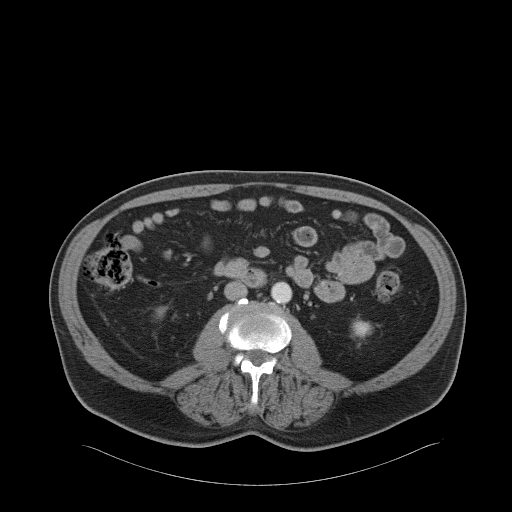
Abdominal CT with intravenous contrast, arterial phase, axial plane, 120 kVp, kernel B31f. Slice 16/68 from the bottom of the scan; thickness 5.00 mm; pixel size 0.961 mm.
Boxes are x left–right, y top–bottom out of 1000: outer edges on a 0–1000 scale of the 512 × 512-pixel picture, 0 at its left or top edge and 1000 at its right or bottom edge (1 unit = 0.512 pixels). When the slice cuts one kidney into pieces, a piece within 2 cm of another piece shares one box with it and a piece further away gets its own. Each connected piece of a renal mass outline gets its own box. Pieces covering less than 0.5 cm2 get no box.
Boxed on this slice (two kidney boxes), listed by box centre from the image's left to its right: (1) Right kidney at x 303–328, y 598–623 out of 1000 (outlined area 110 px, about 1.0 cm2). (2) Left kidney, box x 686–730, y 619–662 out of 1000 (outlined area 347 px, about 3.2 cm2). No renal mass is outlined on this slice.